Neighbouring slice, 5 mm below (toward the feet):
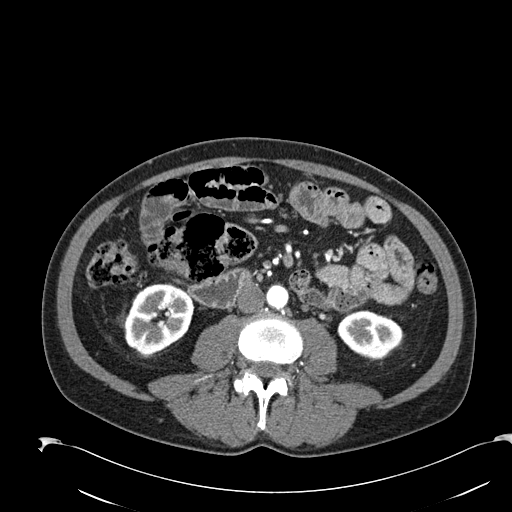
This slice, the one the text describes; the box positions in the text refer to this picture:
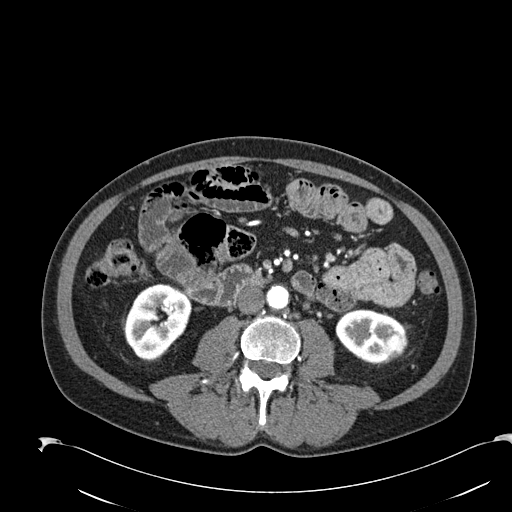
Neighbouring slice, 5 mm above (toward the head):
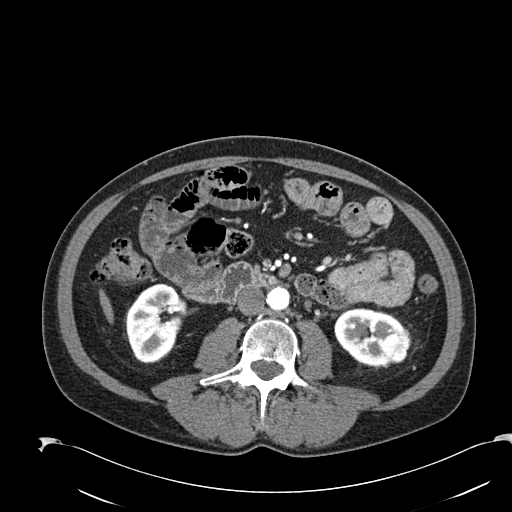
Abdominal CT with intravenous contrast, arterial phase, axial plane, 120 kVp, kernel B30f. Slice 79/274 from the bottom of the scan; thickness 2.00 mm; pixel size 0.809 mm.
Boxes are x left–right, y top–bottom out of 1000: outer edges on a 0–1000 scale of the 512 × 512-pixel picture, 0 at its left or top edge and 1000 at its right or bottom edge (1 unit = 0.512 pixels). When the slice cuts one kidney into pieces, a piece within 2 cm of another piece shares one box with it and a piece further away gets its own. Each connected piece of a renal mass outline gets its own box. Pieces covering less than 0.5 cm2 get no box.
Three boxes on this slice (two kidney boxes and one renal mass box), listed by box centre from the image's left to its right. (1) Right kidney at x 240–375, y 553–707 out of 1000 (outlined area 3,760 px, about 24.6 cm2). (2) Box x 654–793, y 604–711 out of 1000: left kidney (outlined area 2,544 px, about 16.6 cm2). (3) Box x 748–799, y 650–701 out of 1000: left renal mass (outlined area 480 px, about 3.1 cm2). This slice is near the end of the left renal mass toward the feet, so the slices 5 mm below and 5 mm above it are shown as well; the boxes refer to this slice only.